Abdominal CT with intravenous contrast, arterial phase, axial plane, 120 kVp, kernel I30f. Slice 381/602 from the bottom of the scan; thickness 1.00 mm; pixel size 0.799 mm.
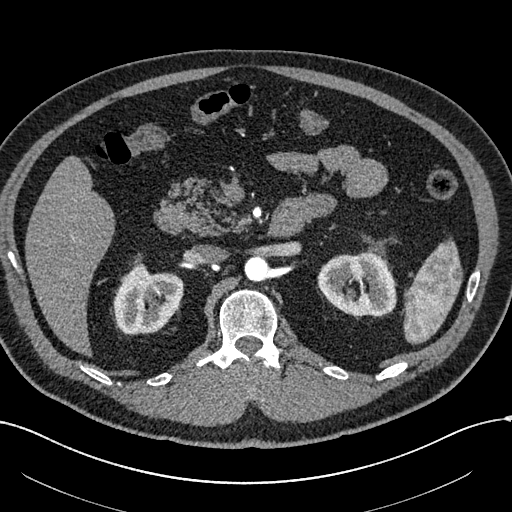
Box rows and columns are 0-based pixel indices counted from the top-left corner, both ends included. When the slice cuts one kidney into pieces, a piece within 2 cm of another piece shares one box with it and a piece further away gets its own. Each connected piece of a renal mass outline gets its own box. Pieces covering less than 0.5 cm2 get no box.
Boxed on this slice (two kidney boxes), listed by box centre from the image's left to its right: (1) Right kidney at rows 262–334, columns 113–183 (outlined area 3,739 px, about 23.9 cm2). (2) Box rows 251–316, columns 317–396: left kidney (outlined area 4,018 px, about 25.6 cm2). No renal mass outline on this slice.